Abdominal CT with intravenous contrast, arterial phase, axial plane, 120 kVp, kernel B20f. Slice 441/553 from the bottom of the scan; thickness 1.00 mm; pixel size 0.773 mm.
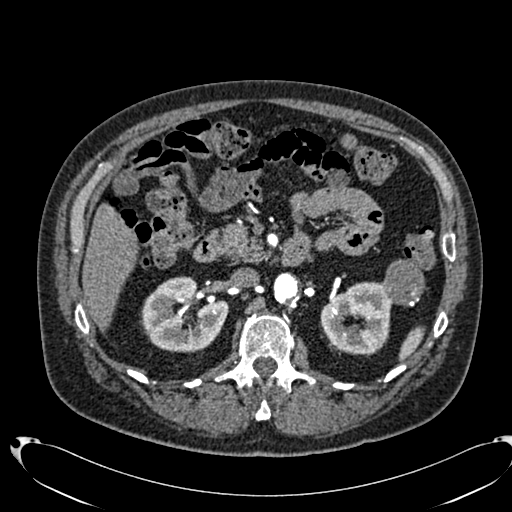
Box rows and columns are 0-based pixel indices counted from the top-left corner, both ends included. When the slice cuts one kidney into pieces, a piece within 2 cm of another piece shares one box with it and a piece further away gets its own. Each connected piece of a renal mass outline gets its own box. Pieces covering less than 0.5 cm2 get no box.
Boxed on this slice (two kidney boxes and one renal mass box), listed by box centre from the image's left to its right: (1) Box rows 276–352, columns 140–228: right kidney (outlined area 4,844 px, about 29.0 cm2). (2) Left kidney, box rows 281–355, columns 320–391 (outlined area 3,902 px, about 23.3 cm2). (3) Left renal mass, box rows 259–306, columns 382–424 (outlined area 1,602 px, about 9.6 cm2).